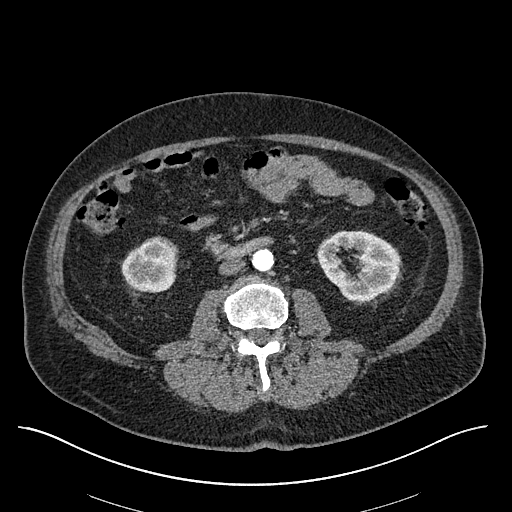
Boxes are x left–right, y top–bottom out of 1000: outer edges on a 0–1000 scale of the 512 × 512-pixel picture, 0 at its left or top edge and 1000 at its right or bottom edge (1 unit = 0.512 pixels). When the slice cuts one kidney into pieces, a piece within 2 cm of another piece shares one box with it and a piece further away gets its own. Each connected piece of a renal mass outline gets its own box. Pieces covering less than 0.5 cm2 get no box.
Slice 268/670 of a contrast-enhanced abdominal CT in the arterial phase, counting up from the lowest; pixel size 0.861 mm, slice thickness 1.00 mm. Two boxes on this slice (two kidney boxes), listed by box centre from the image's left to its right. (1) Right kidney, box x 236–348, y 461–572 out of 1000 (outlined area 2,461 px, about 18.3 cm2). (2) Left kidney, box x 619–783, y 449–590 out of 1000 (outlined area 4,214 px, about 31.3 cm2). No renal mass is outlined on this slice.
Tube voltage 120 kVp; convolution kernel I30f.